Contrast-enhanced abdominal CT, axial slice 64 of 90 (counted from the lowest slice); tube voltage 120 kVp, convolution kernel B31f; slices 5.00 mm thick, 0.707 mm per pixel.
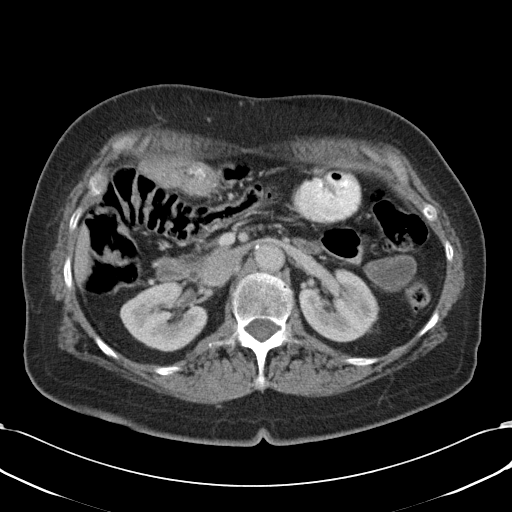
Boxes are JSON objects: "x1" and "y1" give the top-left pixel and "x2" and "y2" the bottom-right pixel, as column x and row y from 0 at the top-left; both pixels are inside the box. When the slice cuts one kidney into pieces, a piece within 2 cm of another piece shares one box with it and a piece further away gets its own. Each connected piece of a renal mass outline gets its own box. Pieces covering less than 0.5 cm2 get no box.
Two boxes on this slice (two kidney boxes), listed by box centre from the image's left to its right. (1) Box {"x1": 119, "y1": 282, "x2": 207, "y2": 351}: right kidney (outlined area 4,389 px, about 21.9 cm2). (2) Left kidney at {"x1": 299, "y1": 267, "x2": 378, "y2": 339} (outlined area 4,081 px, about 20.4 cm2). No renal mass outline on this slice.